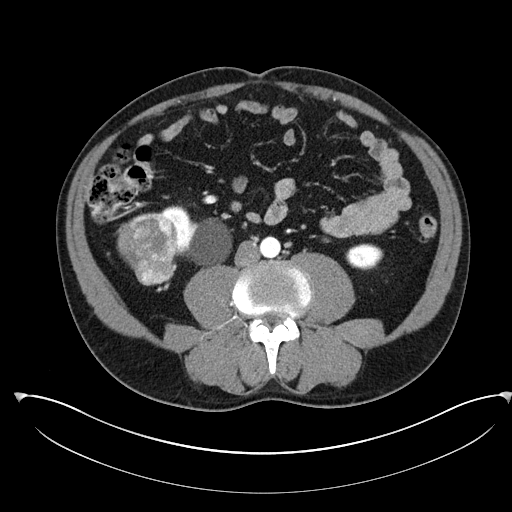
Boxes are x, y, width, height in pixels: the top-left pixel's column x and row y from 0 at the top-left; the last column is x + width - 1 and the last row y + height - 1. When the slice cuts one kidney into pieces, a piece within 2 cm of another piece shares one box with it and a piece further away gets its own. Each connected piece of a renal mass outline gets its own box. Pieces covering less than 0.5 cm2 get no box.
This is axial slice 111 of 302 (slice 1 is the lowest) of an arterial-phase abdominal CT with contrast; each pixel is 0.875 mm and the slice is 5.00 mm thick. Three boxes on this slice (two kidney boxes and one renal mass box), listed by box centre from the image's left to its right. (1) Box x 116, y 212, width 62, height 74: right renal mass (outlined area 3,457 px, about 26.5 cm2). (2) Box x 159, y 205, width 73, height 61: right kidney (outlined area 2,521 px, about 19.3 cm2). (3) Left kidney at x 346, y 243, width 38, height 28 (outlined area 796 px, about 6.1 cm2).
Scan settings: 100 kVp, I30f reconstruction kernel.